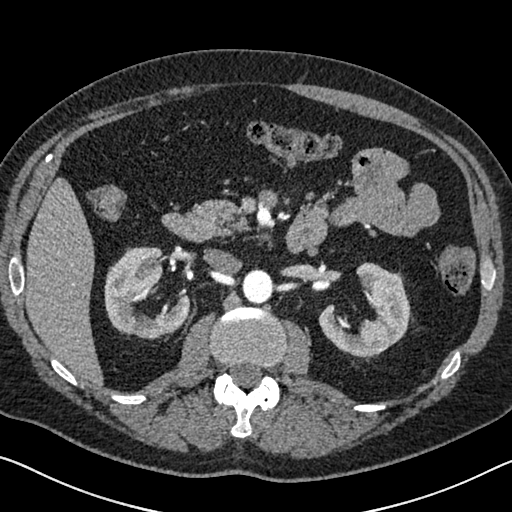
Axial slice 413 of 626 of a contrast-enhanced abdominal CT in the arterial phase (slice 1 is the lowest), 120 kVp, kernel I30f; 1.00 mm slice thickness and 0.703 mm pixels.
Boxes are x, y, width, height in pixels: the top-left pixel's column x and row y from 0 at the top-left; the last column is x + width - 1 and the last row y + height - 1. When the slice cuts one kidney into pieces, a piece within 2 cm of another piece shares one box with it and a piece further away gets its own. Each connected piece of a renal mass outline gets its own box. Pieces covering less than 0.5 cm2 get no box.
Two kidney boxes on this slice; by box centre, from the image's left to its right: (1) Right kidney at x 104, y 247, width 86, height 92 (outlined area 5,058 px, about 25.0 cm2). (2) Left kidney at x 318, y 262, width 93, height 96 (outlined area 4,837 px, about 23.9 cm2). No renal mass outline on this slice.